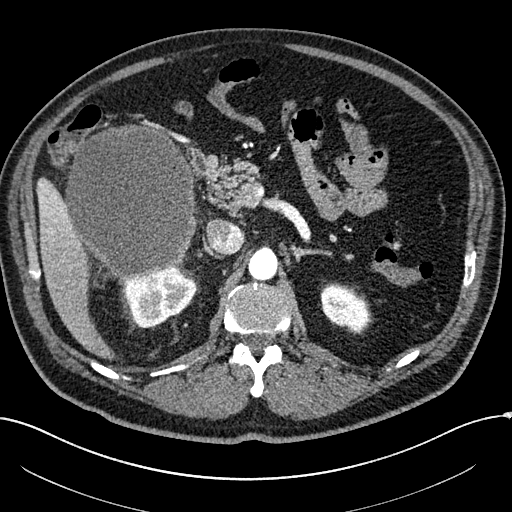
Abdominal CT with intravenous contrast, arterial phase, axial plane, 100 kVp, kernel I30f. Slice 153/304 from the bottom of the scan; thickness 2.00 mm; pixel size 0.809 mm.
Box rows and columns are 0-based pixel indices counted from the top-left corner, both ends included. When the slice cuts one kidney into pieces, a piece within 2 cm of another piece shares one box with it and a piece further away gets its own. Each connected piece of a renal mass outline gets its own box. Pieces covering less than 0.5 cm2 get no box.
Two kidney boxes and one renal mass box on this slice; by box centre, from the image's left to its right: (1) Box rows 124–279, columns 62–196: right renal mass (outlined area 16,006 px, about 104.7 cm2). (2) Right kidney at rows 266–328, columns 121–196 (outlined area 3,185 px, about 20.8 cm2). (3) Left kidney at rows 283–332, columns 320–370 (outlined area 1,806 px, about 11.8 cm2).